One axial slice (431 of 1059, counting up from the lowest) of an arterial-phase abdominal CT acquired with 100 kVp, kernel I30f; each pixel is 0.811 mm and the slice is 1.00 mm thick.
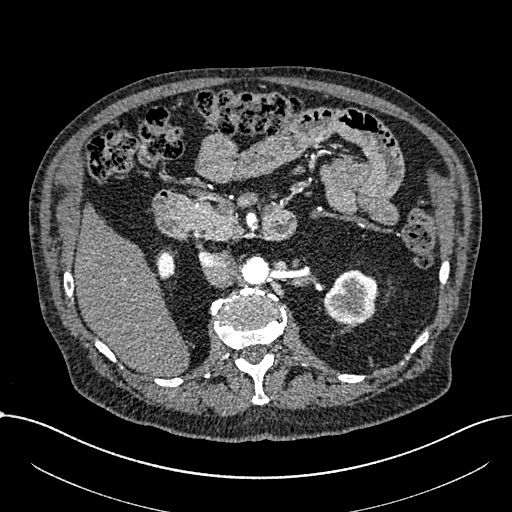
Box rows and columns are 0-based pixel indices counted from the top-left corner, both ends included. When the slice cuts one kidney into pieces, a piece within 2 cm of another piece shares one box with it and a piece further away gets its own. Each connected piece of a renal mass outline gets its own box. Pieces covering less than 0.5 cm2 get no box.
Two boxes on this slice (two kidney boxes), listed by box centre from the image's left to its right. (1) Right part of the midline-crossing kidney, box rows 252–279, columns 157–175 (outlined area 410 px, about 2.7 cm2). (2) Left part of the midline-crossing kidney, box rows 269–324, columns 323–377 (outlined area 2,300 px, about 15.1 cm2). No renal mass is outlined on this slice.